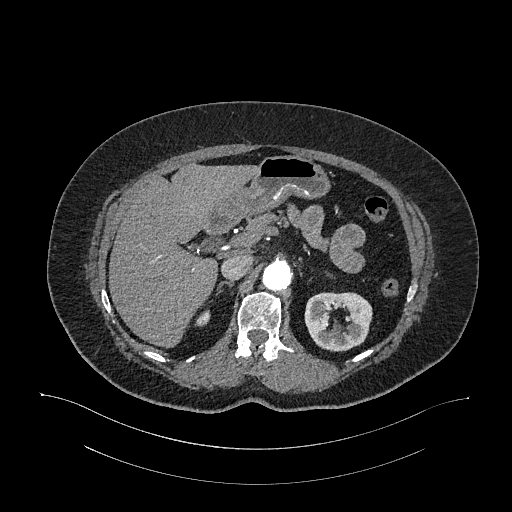
Axial slice 735 of 987 of a contrast-enhanced abdominal CT in the arterial phase (slice 1 is the lowest), 120 kVp, kernel I26f; 1.00 mm slice thickness and 0.977 mm pixels.
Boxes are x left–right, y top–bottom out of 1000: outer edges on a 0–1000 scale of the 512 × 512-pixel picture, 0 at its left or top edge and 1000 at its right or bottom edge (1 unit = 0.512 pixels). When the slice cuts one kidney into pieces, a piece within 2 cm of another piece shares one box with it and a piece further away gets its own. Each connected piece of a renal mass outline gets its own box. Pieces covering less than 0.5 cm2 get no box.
Boxed on this slice (two kidney boxes), listed by box centre from the image's left to its right: (1) Right kidney, box x 381–412, y 604–639 out of 1000 (outlined area 176 px, about 1.7 cm2). (2) Box x 594–729, y 570–688 out of 1000: left kidney (outlined area 3,144 px, about 30.0 cm2). No renal mass outline on this slice.